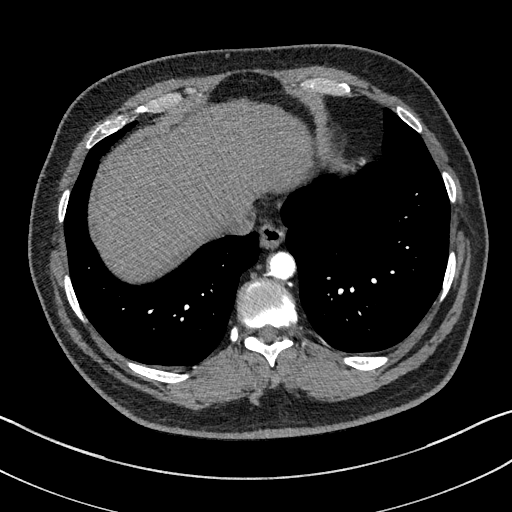
Arterial-phase contrast-enhanced abdominal CT, axial slice 165 of 195 (counted from the lowest slice); tube voltage 100 kVp, convolution kernel I31f; slices 1.50 mm thick, 0.707 mm per pixel.
No kidney and no renal mass is outlined on this slice; the outlines in this scan cover only the kidneys and the renal masses, so nothing is said about any other organ.